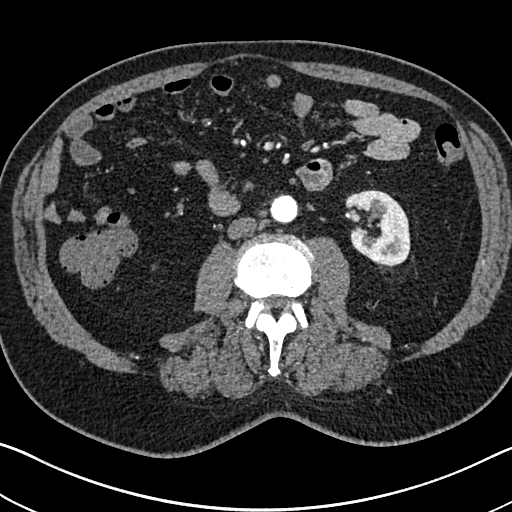
One axial slice (333 of 705, counting up from the lowest) of an arterial-phase abdominal CT acquired with 120 kVp, kernel I30f; each pixel is 0.703 mm and the slice is 1.00 mm thick.
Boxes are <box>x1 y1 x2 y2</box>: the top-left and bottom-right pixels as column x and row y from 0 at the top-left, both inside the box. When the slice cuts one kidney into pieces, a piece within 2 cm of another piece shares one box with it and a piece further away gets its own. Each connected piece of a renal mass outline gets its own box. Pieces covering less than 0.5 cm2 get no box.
At <box>345 189 410 265</box>: left kidney (outlined area 3,683 px, about 18.2 cm2). No renal mass is outlined on this slice.